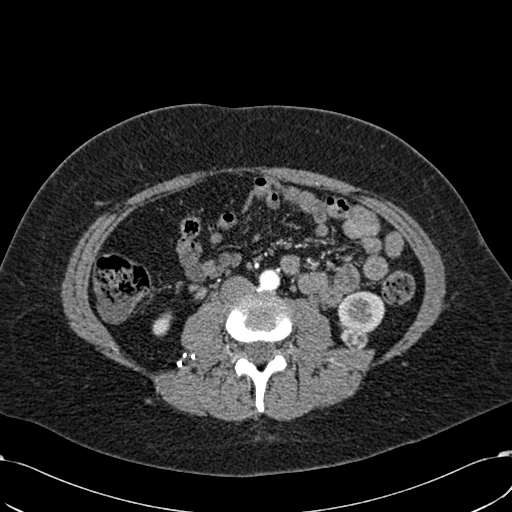
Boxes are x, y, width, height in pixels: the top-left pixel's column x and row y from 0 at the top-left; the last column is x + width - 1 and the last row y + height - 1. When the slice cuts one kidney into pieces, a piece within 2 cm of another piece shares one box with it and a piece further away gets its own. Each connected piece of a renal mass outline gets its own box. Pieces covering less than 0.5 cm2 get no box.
Slice 267/532 of a contrast-enhanced abdominal CT in the arterial phase, counting up from the lowest; pixel size 0.713 mm, slice thickness 1.00 mm. Two kidney boxes and one renal mass box on this slice; by box centre, from the image's left to its right: (1) Right kidney at x 152, y 311, width 21, height 26 (outlined area 342 px, about 1.7 cm2). (2) Left renal mass, box x 340, y 328, width 28, height 23 (outlined area 484 px, about 2.5 cm2). (3) Box x 337, y 290, width 49, height 44: left kidney (outlined area 1,575 px, about 8.0 cm2).
Scan settings: 120 kVp, B30f reconstruction kernel.